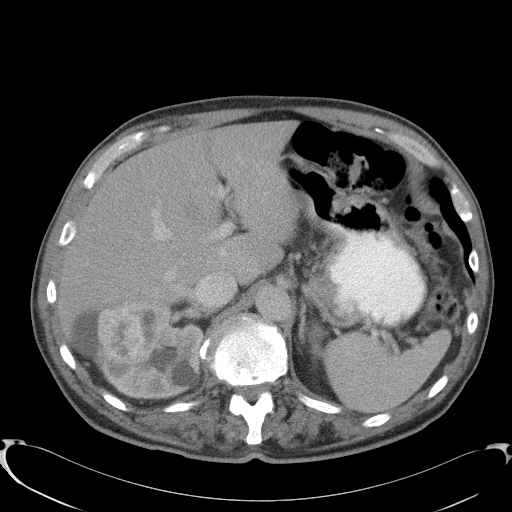
Contrast-enhanced abdominal CT, axial slice 74 of 91 (counted from the lowest slice); tube voltage 120 kVp, convolution kernel B41f; slices 5.00 mm thick, 0.762 mm per pixel.
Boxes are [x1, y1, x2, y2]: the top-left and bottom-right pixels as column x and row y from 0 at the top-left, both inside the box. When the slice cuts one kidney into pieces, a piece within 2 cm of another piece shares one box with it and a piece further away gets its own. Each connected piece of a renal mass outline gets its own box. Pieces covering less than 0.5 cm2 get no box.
Three boxes on this slice (two kidney boxes and one renal mass box), listed by box centre from the image's left to its right. (1) Box [97, 303, 154, 363]: right renal mass (outlined area 2,375 px, about 13.8 cm2). (2) Right kidney at [68, 298, 203, 399] (outlined area 7,780 px, about 45.1 cm2). (3) Left kidney, box [310, 334, 320, 356] (outlined area 178 px, about 1.0 cm2).